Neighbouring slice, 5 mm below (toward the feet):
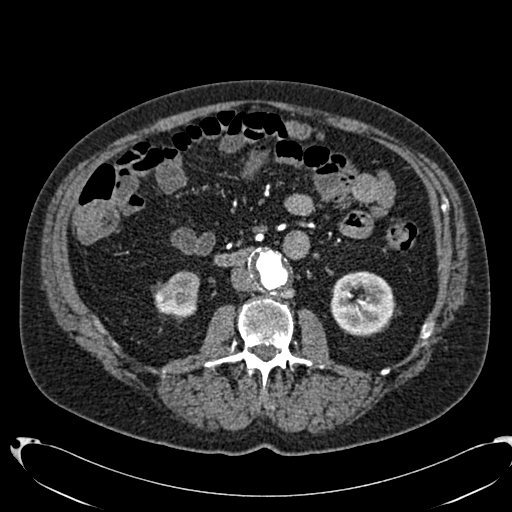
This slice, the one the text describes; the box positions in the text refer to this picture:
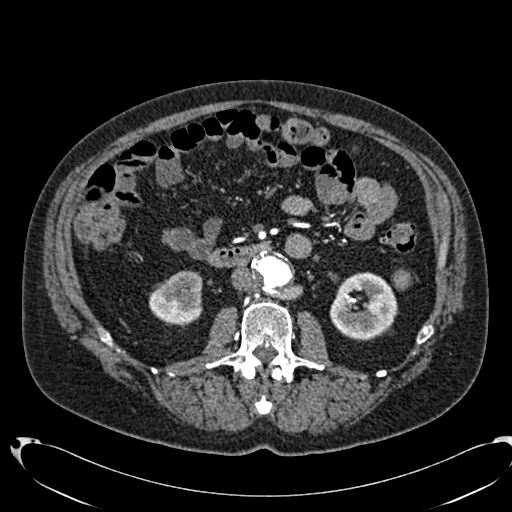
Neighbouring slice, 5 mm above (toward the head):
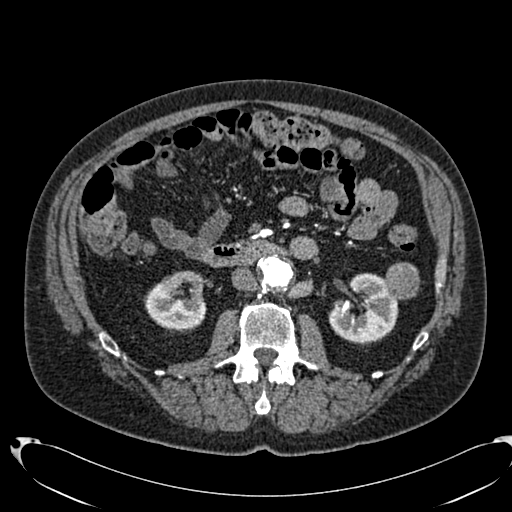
Abdominal CT with intravenous contrast, arterial phase, axial plane, 120 kVp, kernel B20f. Slice 376/553 from the bottom of the scan; thickness 1.00 mm; pixel size 0.773 mm.
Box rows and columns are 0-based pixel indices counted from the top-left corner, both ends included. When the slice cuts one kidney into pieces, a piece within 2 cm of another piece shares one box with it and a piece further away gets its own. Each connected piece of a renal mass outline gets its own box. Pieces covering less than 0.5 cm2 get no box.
Three boxes on this slice (two kidney boxes and one renal mass box), listed by box centre from the image's left to its right. (1) Right kidney at rows 270–326, columns 149–202 (outlined area 2,330 px, about 13.9 cm2). (2) Box rows 272–341, columns 329–398: left kidney (outlined area 3,441 px, about 20.6 cm2). (3) Left renal mass at rows 269–290, columns 392–411 (outlined area 319 px, about 1.9 cm2). This slice lies near the end of the left renal mass toward the feet; the slices 5 mm below and 5 mm above it are shown too, and the boxes mark positions on this slice only.